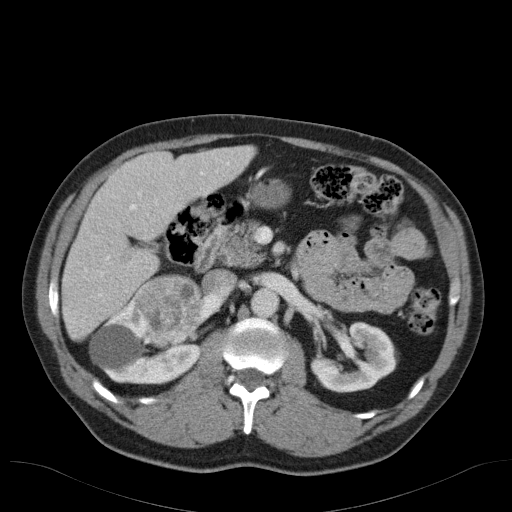
Abdominal CT with intravenous contrast, arterial phase, axial plane, 120 kVp, kernel B31f. Slice 70/98 from the bottom of the scan; thickness 5.00 mm; pixel size 0.764 mm.
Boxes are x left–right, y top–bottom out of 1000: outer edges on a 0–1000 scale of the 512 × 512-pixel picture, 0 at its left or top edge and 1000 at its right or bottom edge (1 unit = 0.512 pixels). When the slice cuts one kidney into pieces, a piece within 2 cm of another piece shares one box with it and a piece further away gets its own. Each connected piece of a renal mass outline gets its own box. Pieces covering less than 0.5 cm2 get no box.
Three boxes on this slice (two kidney boxes and one renal mass box), listed by box centre from the image's left to its right. (1) Right kidney, box x 174–396, y 584–752 out of 1000 (outlined area 5,015 px, about 29.2 cm2). (2) Right renal mass at x 256–396, y 535–682 out of 1000 (outlined area 4,237 px, about 24.7 cm2). (3) Left kidney at x 605–777, y 627–768 out of 1000 (outlined area 4,003 px, about 23.3 cm2).